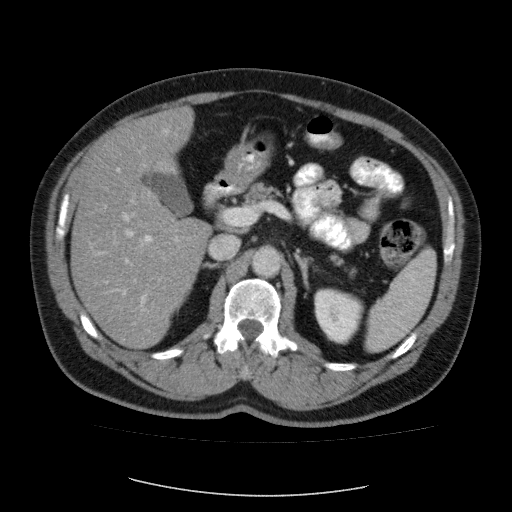
Contrast-enhanced abdominal CT, axial slice 62 of 87 (counted from the lowest slice); tube voltage 120 kVp, convolution kernel FC12; slices 5.00 mm thick, 0.812 mm per pixel.
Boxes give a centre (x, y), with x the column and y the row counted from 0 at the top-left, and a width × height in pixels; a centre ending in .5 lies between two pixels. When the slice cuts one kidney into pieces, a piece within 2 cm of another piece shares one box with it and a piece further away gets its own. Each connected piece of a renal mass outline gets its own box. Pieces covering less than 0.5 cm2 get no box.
Box centre (338.5, 316), 50 × 57 pixels: left kidney (outlined area 2,146 px, about 14.1 cm2). No renal mass is outlined on this slice.